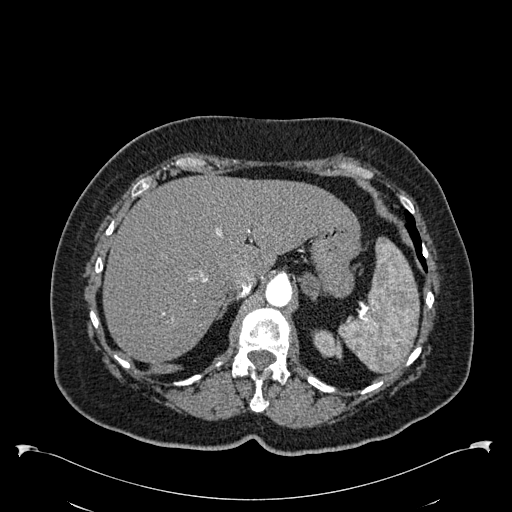
Abdominal CT with intravenous contrast, arterial phase, axial plane, 120 kVp, kernel B30f. Slice 446/538 from the bottom of the scan; thickness 1.00 mm; pixel size 0.811 mm.
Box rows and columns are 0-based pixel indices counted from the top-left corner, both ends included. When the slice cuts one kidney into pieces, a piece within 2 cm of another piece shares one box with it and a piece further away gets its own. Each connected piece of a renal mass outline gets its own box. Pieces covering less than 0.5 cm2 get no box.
Left kidney, box rows 329–359, columns 311–342 (outlined area 651 px, about 4.3 cm2). No renal mass outline on this slice.